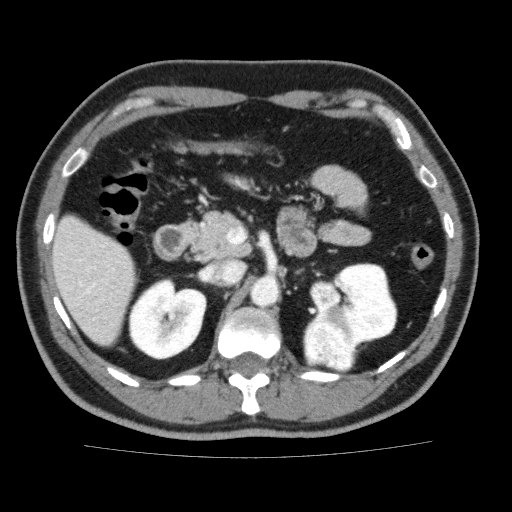
Abdominal CT with intravenous contrast, axial plane, 120 kVp, kernel FC13. Slice 111/159 from the bottom of the scan; thickness 3.00 mm; pixel size 0.668 mm.
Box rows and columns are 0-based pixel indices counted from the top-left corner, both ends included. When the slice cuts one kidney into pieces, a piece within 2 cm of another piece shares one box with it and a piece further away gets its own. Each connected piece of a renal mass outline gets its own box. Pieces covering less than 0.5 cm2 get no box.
Boxed on this slice (two kidney boxes and one renal mass box), listed by box centre from the image's left to its right: (1) Box rows 278–359, columns 128–206: right kidney (outlined area 4,765 px, about 21.3 cm2). (2) Left renal mass at rows 305–372, columns 302–357 (outlined area 2,782 px, about 12.4 cm2). (3) Left kidney at rows 262–346, columns 309–397 (outlined area 4,498 px, about 20.1 cm2).